One axial slice (33 of 97, counting up from the lowest) of an arterial-phase abdominal CT acquired with 100 kVp, kernel I40f; each pixel is 0.797 mm and the slice is 3.00 mm thick.
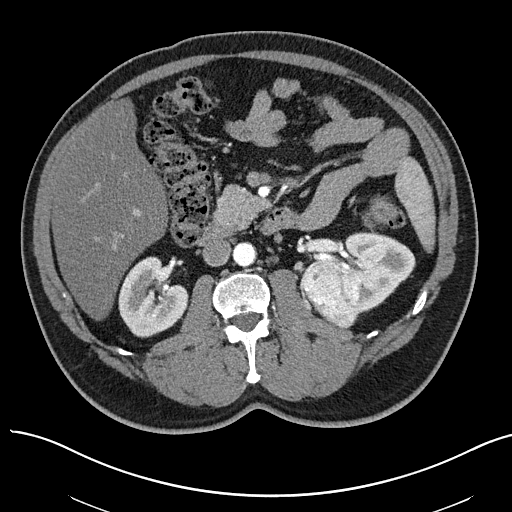
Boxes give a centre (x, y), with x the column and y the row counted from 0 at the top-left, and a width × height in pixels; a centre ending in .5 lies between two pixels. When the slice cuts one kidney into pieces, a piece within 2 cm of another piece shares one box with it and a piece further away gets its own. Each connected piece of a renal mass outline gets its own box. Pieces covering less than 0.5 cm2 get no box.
Three boxes on this slice (two kidney boxes and one renal mass box), listed by box centre from the image's left to its right. (1) Right kidney, box centre (153, 296.5), 71 × 82 pixels (outlined area 4,051 px, about 25.7 cm2). (2) Box centre (331, 293.5), 65 × 72 pixels: left renal mass (outlined area 3,362 px, about 21.3 cm2). (3) Left kidney in a box with centre (364, 271), 103 × 83 pixels (outlined area 3,932 px, about 25.0 cm2).